Axial slice 77 of 146 of a contrast-enhanced abdominal CT (slice 1 is the lowest), 120 kVp, kernel B41f; 5.00 mm slice thickness and 0.840 mm pixels.
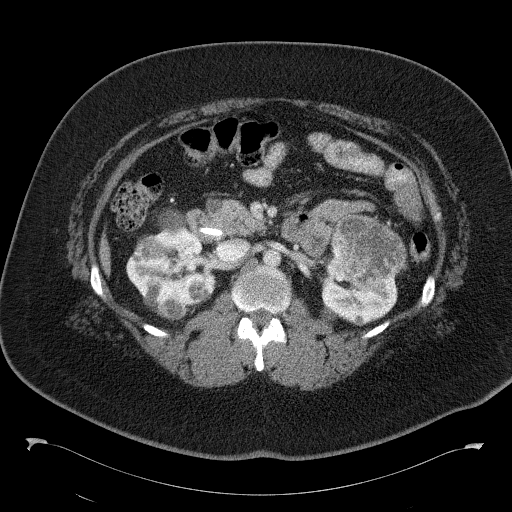
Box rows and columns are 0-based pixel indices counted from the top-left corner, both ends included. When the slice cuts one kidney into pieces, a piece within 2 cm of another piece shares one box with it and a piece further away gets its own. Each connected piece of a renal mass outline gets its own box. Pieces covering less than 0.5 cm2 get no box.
Two kidney boxes and four renal mass boxes on this slice; by box centre, from the image's left to its right: (1) Renal mass, box rows 234–258, columns 137–162 (outlined area 518 px, about 3.7 cm2). (2) Kidney, box rows 209–309, columns 126–215 (outlined area 4,755 px, about 33.5 cm2). (3) Box rows 294–319, columns 155–186: renal mass (outlined area 621 px, about 4.4 cm2). (4) Renal mass, box rows 280–303, columns 188–211 (outlined area 409 px, about 2.9 cm2). (5) Kidney, box rows 254–326, columns 320–397 (outlined area 3,343 px, about 23.6 cm2). (6) Box rows 215–279, columns 331–407: renal mass (outlined area 3,962 px, about 27.9 cm2).